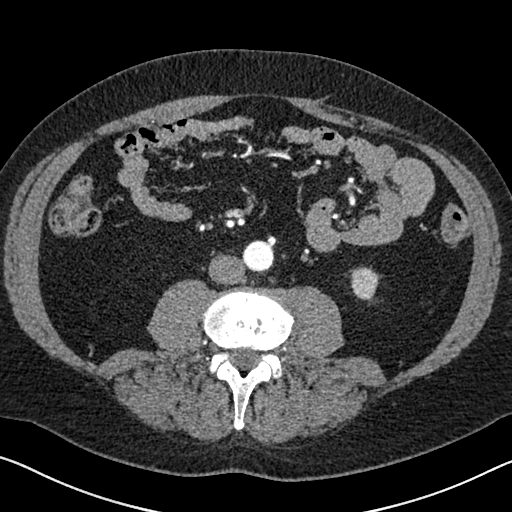
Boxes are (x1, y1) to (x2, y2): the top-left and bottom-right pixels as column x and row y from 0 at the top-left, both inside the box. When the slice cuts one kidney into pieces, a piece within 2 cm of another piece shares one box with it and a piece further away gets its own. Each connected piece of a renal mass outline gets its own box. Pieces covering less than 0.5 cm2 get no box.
This is axial slice 282 of 626 (slice 1 is the lowest) of an arterial-phase abdominal CT with contrast; each pixel is 0.703 mm and the slice is 1.00 mm thick. Left kidney, box (350, 266) to (381, 302) (outlined area 789 px, about 3.9 cm2). No renal mass outline on this slice.
Scan settings: 120 kVp, I30f reconstruction kernel.